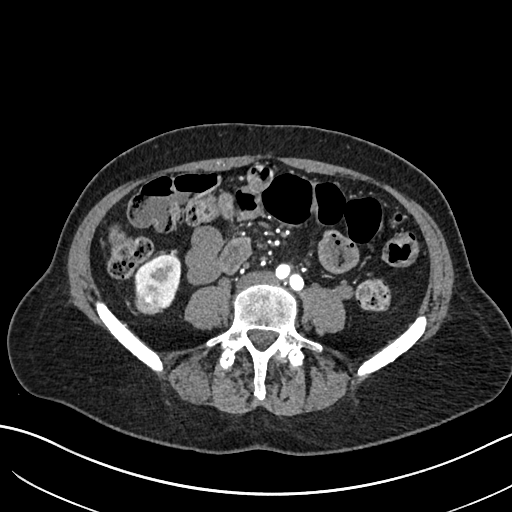
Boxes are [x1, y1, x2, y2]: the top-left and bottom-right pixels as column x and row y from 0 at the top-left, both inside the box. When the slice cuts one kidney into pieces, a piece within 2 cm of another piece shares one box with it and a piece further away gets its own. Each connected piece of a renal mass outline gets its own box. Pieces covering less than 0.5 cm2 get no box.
Arterial-phase contrast-enhanced abdominal CT, axial slice 259 of 683 (counted from the lowest slice); 1.00 mm thick, 0.738 mm per pixel. One kidney box and one renal mass box on this slice; by box centre, from the image's left to its right: (1) Right renal mass, box [134, 283, 163, 313] (outlined area 747 px, about 4.1 cm2). (2) Box [134, 254, 181, 311]: right kidney (outlined area 1,538 px, about 8.4 cm2).
Acquired at 120 kVp and reconstructed with the I30f kernel.